Abdominal CT with intravenous contrast, arterial phase, axial plane, 120 kVp, kernel B20f. Slice 467/634 from the bottom of the scan; thickness 1.00 mm; pixel size 0.838 mm.
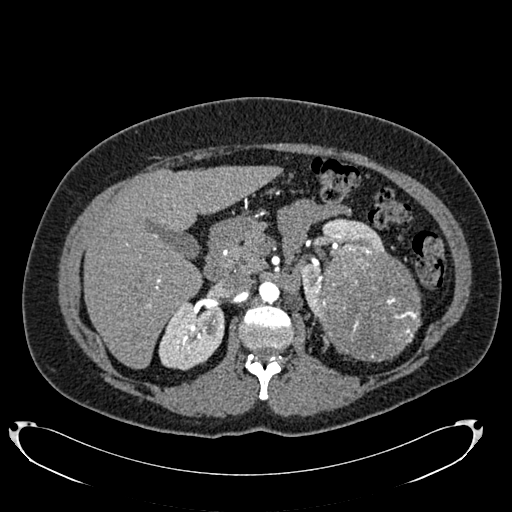
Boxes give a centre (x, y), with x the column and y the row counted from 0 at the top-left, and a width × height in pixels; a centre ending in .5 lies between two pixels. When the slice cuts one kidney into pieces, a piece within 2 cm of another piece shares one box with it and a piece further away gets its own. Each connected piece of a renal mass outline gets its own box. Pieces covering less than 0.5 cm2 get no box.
Boxed on this slice (two kidney boxes and one renal mass box), listed by box centre from the image's left to its right: (1) Right kidney in a box with centre (191, 334.5), 67 × 72 pixels (outlined area 3,569 px, about 25.1 cm2). (2) Left kidney, box centre (340, 268), 87 × 101 pixels (outlined area 2,507 px, about 17.6 cm2). (3) Left renal mass in a box with centre (368.5, 303), 106 × 119 pixels (outlined area 9,904 px, about 69.5 cm2).